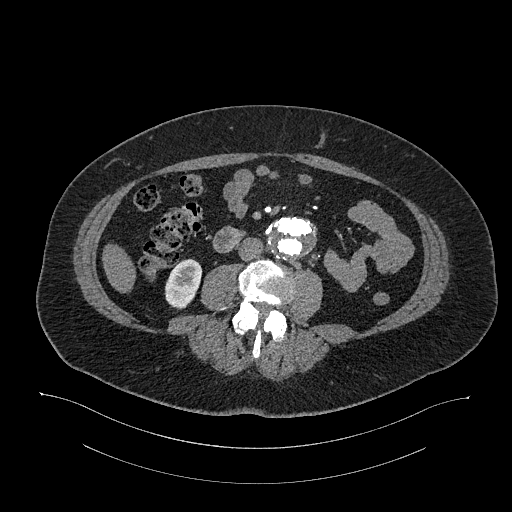
Abdominal CT with intravenous contrast, arterial phase, axial plane, 120 kVp, kernel I26f. Slice 547/987 from the bottom of the scan; thickness 1.00 mm; pixel size 0.977 mm.
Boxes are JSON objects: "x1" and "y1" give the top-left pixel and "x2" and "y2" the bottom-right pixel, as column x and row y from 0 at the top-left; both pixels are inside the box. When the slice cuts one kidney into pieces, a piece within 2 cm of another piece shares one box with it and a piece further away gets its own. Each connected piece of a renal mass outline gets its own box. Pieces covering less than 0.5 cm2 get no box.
Box {"x1": 165, "y1": 258, "x2": 201, "y2": 309}: right kidney (outlined area 1,399 px, about 13.3 cm2). This slice carries no renal mass outline.